Axial slice 10 of 75 of a contrast-enhanced abdominal CT (slice 1 is the lowest), 140 kVp, kernel B30f; 3.00 mm slice thickness and 0.875 mm pixels.
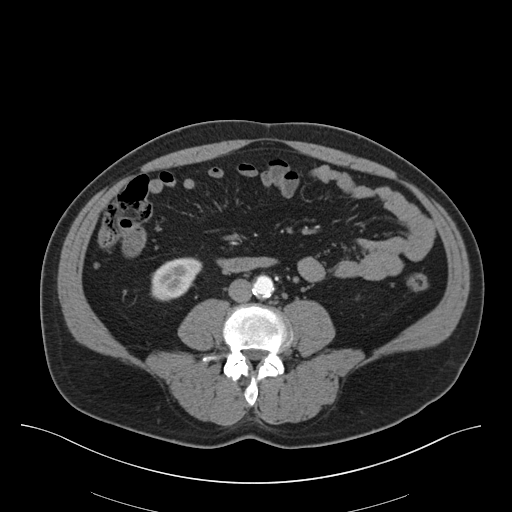
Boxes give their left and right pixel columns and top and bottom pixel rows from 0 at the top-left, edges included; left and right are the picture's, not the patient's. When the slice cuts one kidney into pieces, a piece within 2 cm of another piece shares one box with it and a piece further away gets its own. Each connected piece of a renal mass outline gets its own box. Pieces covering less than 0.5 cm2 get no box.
Right kidney, the box with left 151, top 257, right 202, bottom 301 (outlined area 1,622 px, about 12.4 cm2). No renal mass is outlined on this slice.